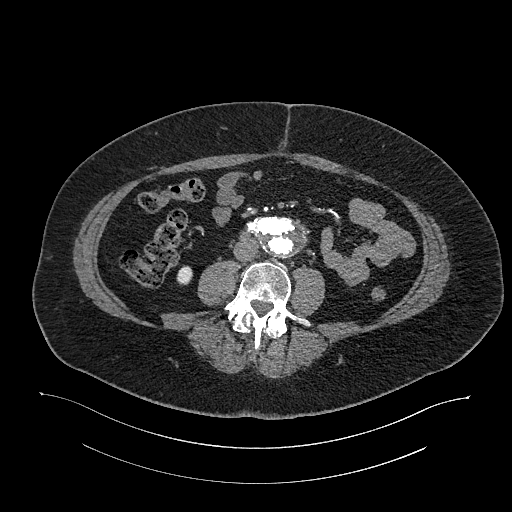
Arterial-phase contrast-enhanced abdominal CT, axial slice 527 of 987 (counted from the lowest slice); tube voltage 120 kVp, convolution kernel I26f; slices 1.00 mm thick, 0.977 mm per pixel.
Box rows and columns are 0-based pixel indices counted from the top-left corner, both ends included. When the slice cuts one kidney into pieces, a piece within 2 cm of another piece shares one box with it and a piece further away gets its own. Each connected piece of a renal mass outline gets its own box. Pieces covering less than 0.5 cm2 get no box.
Right kidney, box rows 266–284, columns 176–192 (outlined area 252 px, about 2.4 cm2). No renal mass is outlined on this slice.